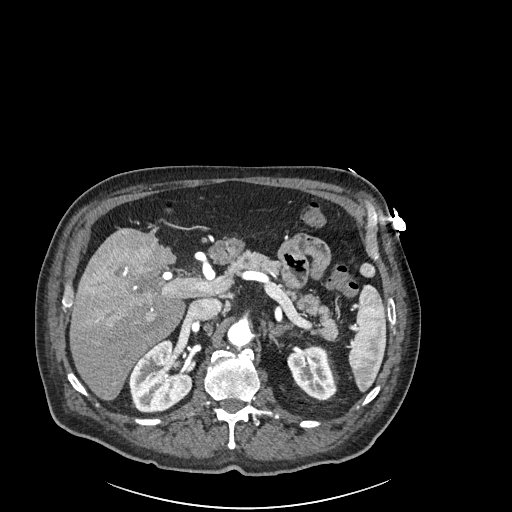
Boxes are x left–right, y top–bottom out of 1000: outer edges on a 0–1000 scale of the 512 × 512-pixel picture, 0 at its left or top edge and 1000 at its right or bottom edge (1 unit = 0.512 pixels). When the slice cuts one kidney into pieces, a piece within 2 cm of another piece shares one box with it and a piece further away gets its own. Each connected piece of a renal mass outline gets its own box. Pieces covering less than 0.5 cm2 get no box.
This is axial slice 148 of 261 (slice 1 is the lowest) of an arterial-phase abdominal CT with contrast; each pixel is 0.939 mm and the slice is 2.00 mm thick. Two kidney boxes on this slice; by box centre, from the image's left to its right: (1) Box x 250–377, y 662–809 out of 1000: right kidney (outlined area 3,390 px, about 29.9 cm2). (2) Box x 561–658, y 676–783 out of 1000: left kidney (outlined area 1,855 px, about 16.4 cm2). No renal mass is outlined on this slice.
Scan settings: 120 kVp, I30f reconstruction kernel.